Arterial-phase contrast-enhanced abdominal CT, axial slice 44 of 94 (counted from the lowest slice); tube voltage 100 kVp, convolution kernel I41f; slices 5.00 mm thick, 0.551 mm per pixel.
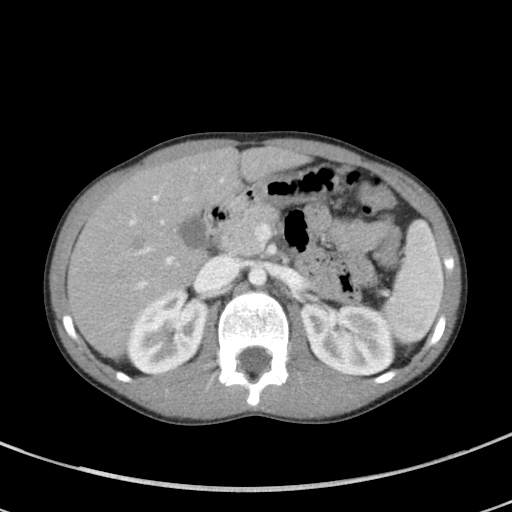
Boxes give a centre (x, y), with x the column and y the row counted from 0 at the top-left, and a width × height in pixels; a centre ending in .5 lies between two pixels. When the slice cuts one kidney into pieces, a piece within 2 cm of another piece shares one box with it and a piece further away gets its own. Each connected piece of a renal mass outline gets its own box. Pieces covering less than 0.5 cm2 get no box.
Two kidney boxes on this slice; by box centre, from the image's left to its right: (1) Box centre (166.5, 331.5), 82 × 86 pixels: right kidney (outlined area 4,959 px, about 15.0 cm2). (2) Left kidney, box centre (347.5, 339), 94 × 75 pixels (outlined area 5,394 px, about 16.4 cm2). No renal mass outline on this slice.